Arterial-phase contrast-enhanced abdominal CT, axial slice 250 of 683 (counted from the lowest slice); tube voltage 120 kVp, convolution kernel I30f; slices 1.00 mm thick, 0.738 mm per pixel.
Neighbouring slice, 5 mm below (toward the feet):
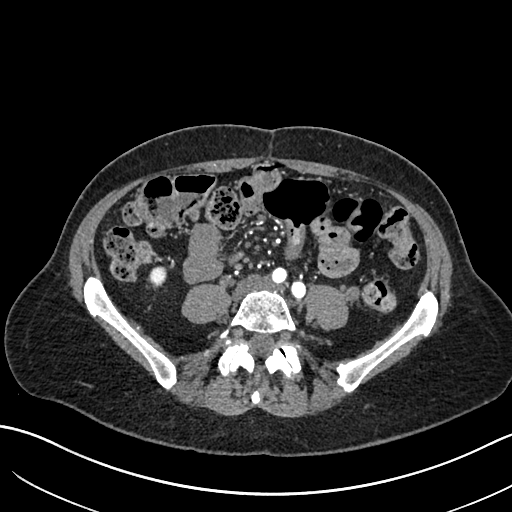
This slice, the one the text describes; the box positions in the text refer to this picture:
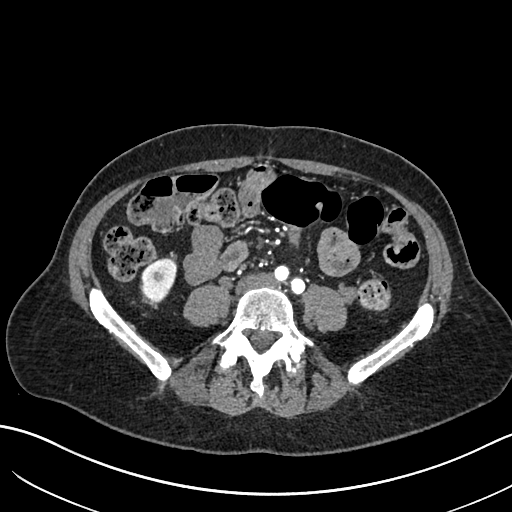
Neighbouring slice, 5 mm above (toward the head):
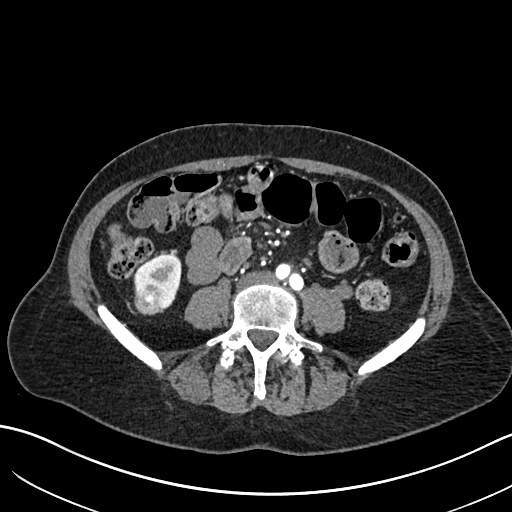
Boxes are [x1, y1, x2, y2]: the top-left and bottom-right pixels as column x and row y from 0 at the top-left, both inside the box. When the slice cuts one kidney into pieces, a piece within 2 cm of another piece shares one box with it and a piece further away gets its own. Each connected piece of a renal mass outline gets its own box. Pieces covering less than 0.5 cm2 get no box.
Boxed on this slice (one kidney box and one renal mass box), listed by box centre from the image's left to its right: (1) Right renal mass at [143, 289, 161, 302] (outlined area 196 px, about 1.1 cm2). (2) Box [141, 257, 177, 300]: right kidney (outlined area 1,054 px, about 5.7 cm2). This slice lies near the end of the right renal mass toward the feet; the slices 5 mm below and 5 mm above it are shown too, and the boxes mark positions on this slice only.